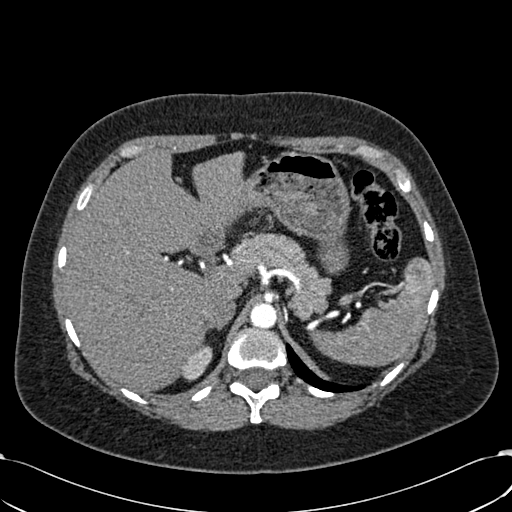
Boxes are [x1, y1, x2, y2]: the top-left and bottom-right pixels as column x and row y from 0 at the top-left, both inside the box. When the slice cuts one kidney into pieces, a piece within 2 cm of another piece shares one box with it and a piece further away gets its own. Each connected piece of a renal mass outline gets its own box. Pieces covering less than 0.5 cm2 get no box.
This is axial slice 459 of 532 (slice 1 is the lowest) of an arterial-phase abdominal CT with contrast; each pixel is 0.713 mm and the slice is 1.00 mm thick. Right kidney at [181, 345, 212, 381] (outlined area 710 px, about 3.6 cm2). No renal mass outline on this slice.
Tube voltage 120 kVp; convolution kernel B30f.